Abdominal CT with intravenous contrast, arterial phase, axial plane, 100 kVp, kernel I30f. Slice 388/1059 from the bottom of the scan; thickness 1.00 mm; pixel size 0.811 mm.
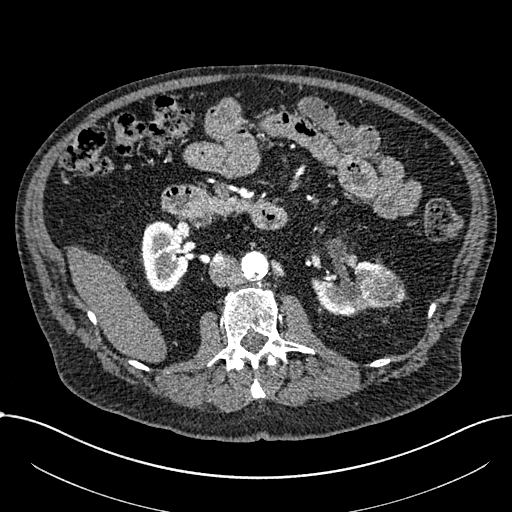
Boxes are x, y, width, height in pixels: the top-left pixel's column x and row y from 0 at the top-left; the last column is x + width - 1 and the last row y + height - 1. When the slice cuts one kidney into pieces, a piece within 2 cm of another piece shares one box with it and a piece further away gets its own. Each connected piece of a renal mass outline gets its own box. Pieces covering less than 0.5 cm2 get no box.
Two kidney boxes and one renal mass box on this slice; by box centre, from the image's left to its right: (1) Right part of the midline-crossing kidney at x 140, y 221, width 50, height 71 (outlined area 2,548 px, about 16.7 cm2). (2) Left part of the midline-crossing kidney at x 312, y 260, width 77, height 57 (outlined area 2,223 px, about 14.6 cm2). (3) Box x 359, y 269, width 47, height 41: renal mass (outlined area 1,434 px, about 9.4 cm2).